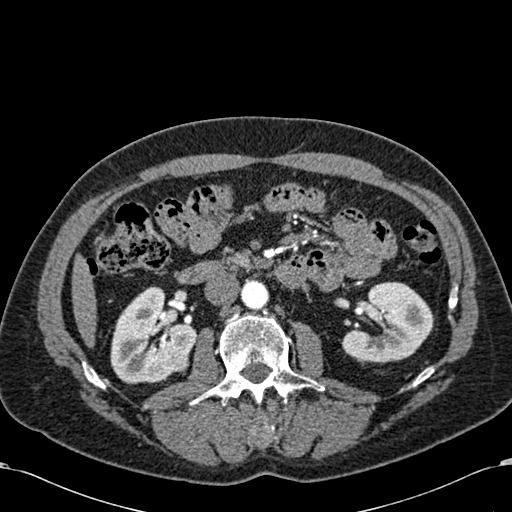
Axial slice 338 of 581 of a contrast-enhanced abdominal CT in the arterial phase (slice 1 is the lowest), 120 kVp, kernel B30f; 1.00 mm slice thickness and 0.713 mm pixels.
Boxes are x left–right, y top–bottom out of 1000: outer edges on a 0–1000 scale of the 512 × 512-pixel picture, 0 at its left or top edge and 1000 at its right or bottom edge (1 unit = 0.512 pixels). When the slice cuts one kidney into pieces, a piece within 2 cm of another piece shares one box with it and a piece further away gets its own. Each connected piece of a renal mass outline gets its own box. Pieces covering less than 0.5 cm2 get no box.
Three boxes on this slice (two kidney boxes and one renal mass box), listed by box centre from the image's left to its right. (1) Right kidney, box x 215–385, y 559–752 out of 1000 (outlined area 5,702 px, about 29.0 cm2). (2) Right renal mass at x 324–371, y 689–732 out of 1000 (outlined area 375 px, about 1.9 cm2). (3) Left kidney, box x 666–850, y 549–709 out of 1000 (outlined area 5,190 px, about 26.4 cm2).